Abdominal CT with intravenous contrast, axial plane, 120 kVp, kernel FC12. Slice 47/87 from the bottom of the scan; thickness 5.00 mm; pixel size 0.812 mm.
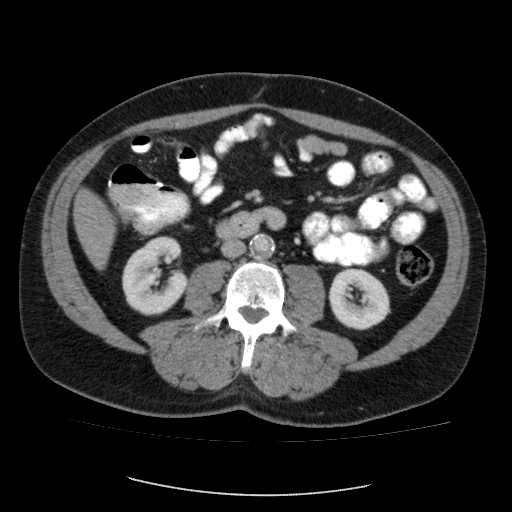
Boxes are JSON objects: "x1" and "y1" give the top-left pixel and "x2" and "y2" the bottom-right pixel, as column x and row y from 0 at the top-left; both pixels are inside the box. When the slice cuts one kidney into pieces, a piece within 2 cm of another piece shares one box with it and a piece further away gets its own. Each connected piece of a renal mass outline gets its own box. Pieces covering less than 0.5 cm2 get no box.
Boxed on this slice (two kidney boxes), listed by box centre from the image's left to its right: (1) Right kidney at {"x1": 122, "y1": 236, "x2": 187, "y2": 315} (outlined area 3,781 px, about 24.9 cm2). (2) Box {"x1": 328, "y1": 267, "x2": 390, "y2": 330}: left kidney (outlined area 2,962 px, about 19.5 cm2). This slice carries no renal mass outline.